One axial slice (461 of 612, counting up from the lowest) of an arterial-phase abdominal CT acquired with 120 kVp, kernel I30f; each pixel is 0.703 mm and the slice is 1.00 mm thick.
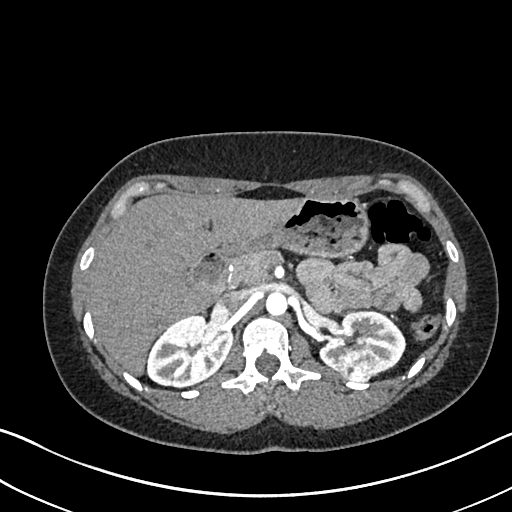
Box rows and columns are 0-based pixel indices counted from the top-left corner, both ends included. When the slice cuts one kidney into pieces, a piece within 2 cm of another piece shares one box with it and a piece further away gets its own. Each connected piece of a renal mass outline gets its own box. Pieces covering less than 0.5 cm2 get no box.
Boxed on this slice (two kidney boxes and one renal mass box), listed by box centre from the image's left to its right: (1) Box rows 314–387, columns 146–232: right kidney (outlined area 4,504 px, about 22.3 cm2). (2) Left renal mass at rows 348–381, columns 337–375 (outlined area 1,077 px, about 5.3 cm2). (3) Left kidney at rows 309–376, columns 318–406 (outlined area 3,409 px, about 16.9 cm2).